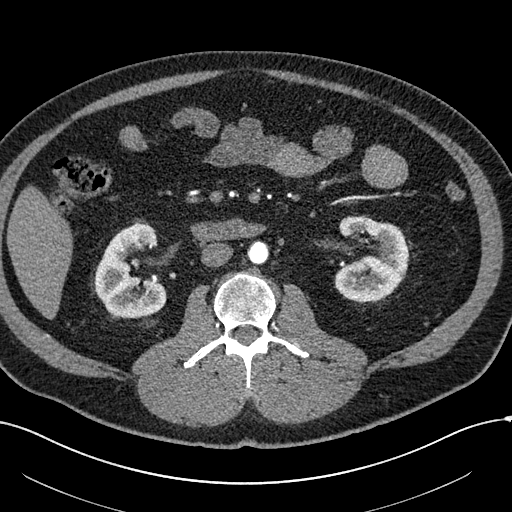
Abdominal CT with intravenous contrast, arterial phase, axial plane, 120 kVp, kernel I30f. Slice 290/602 from the bottom of the scan; thickness 1.00 mm; pixel size 0.799 mm.
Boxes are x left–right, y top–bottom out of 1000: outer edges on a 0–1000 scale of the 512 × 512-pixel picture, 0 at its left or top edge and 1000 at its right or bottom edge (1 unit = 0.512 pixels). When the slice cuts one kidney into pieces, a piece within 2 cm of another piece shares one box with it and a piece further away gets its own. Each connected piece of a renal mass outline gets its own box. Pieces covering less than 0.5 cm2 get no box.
Two kidney boxes on this slice; by box centre, from the image's left to its right: (1) Right kidney, box x 184–326, y 436–623 out of 1000 (outlined area 4,760 px, about 30.4 cm2). (2) Left kidney at x 650–801, y 422–592 out of 1000 (outlined area 4,763 px, about 30.4 cm2). No renal mass outline on this slice.